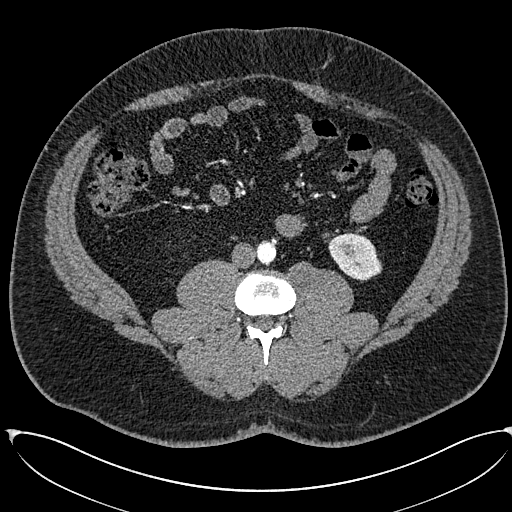
Abdominal CT with intravenous contrast, arterial phase, axial plane, 120 kVp, kernel I30f. Slice 241/673 from the bottom of the scan; thickness 1.00 mm; pixel size 0.855 mm.
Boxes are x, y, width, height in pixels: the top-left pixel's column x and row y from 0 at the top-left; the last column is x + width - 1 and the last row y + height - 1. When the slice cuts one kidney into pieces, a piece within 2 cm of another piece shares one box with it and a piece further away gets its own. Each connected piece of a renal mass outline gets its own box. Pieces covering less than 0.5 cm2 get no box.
Box x 328, y 232, width 55, height 49: left kidney (outlined area 1,866 px, about 13.7 cm2). No renal mass is outlined on this slice.